Arterial-phase contrast-enhanced abdominal CT, axial slice 509 of 738 (counted from the lowest slice); tube voltage 120 kVp, convolution kernel I30f; slices 1.00 mm thick, 0.789 mm per pixel.
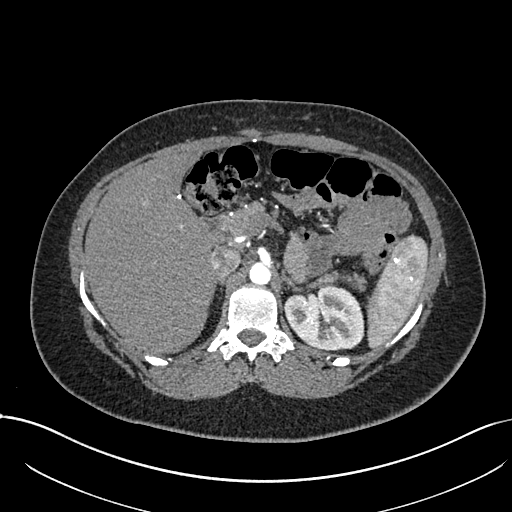
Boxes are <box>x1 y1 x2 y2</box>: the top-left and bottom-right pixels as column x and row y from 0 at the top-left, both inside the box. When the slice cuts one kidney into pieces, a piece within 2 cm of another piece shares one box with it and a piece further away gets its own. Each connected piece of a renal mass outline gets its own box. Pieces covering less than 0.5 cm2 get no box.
Left kidney: <box>282 284 364 350</box> (outlined area 4,165 px, about 25.9 cm2). This slice carries no renal mass outline.